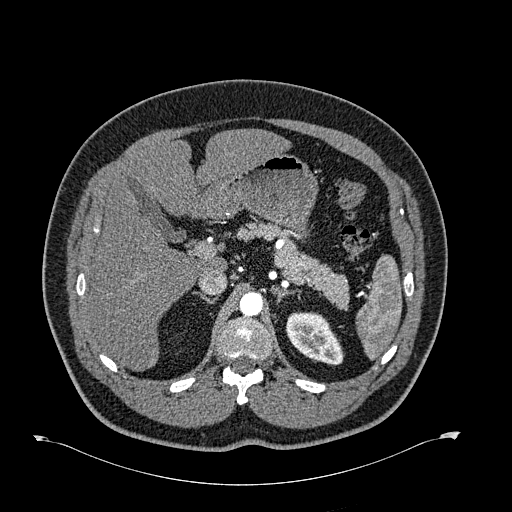
Arterial-phase contrast-enhanced abdominal CT, axial slice 467 of 723 (counted from the lowest slice); tube voltage 120 kVp, convolution kernel B30f; slices 1.00 mm thick, 0.895 mm per pixel.
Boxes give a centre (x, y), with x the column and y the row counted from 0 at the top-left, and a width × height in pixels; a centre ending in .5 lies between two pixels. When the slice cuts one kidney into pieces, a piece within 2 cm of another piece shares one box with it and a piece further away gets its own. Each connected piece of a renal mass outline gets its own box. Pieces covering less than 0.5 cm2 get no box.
Left kidney, box centre (314.5, 338.5), 60 × 54 pixels (outlined area 2,166 px, about 17.3 cm2). This slice carries no renal mass outline.